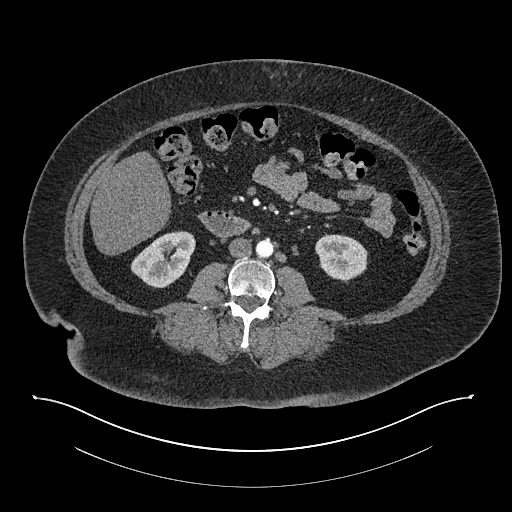
Arterial-phase contrast-enhanced abdominal CT, axial slice 382 of 673 (counted from the lowest slice); tube voltage 140 kVp, convolution kernel I30f; slices 1.00 mm thick, 0.957 mm per pixel.
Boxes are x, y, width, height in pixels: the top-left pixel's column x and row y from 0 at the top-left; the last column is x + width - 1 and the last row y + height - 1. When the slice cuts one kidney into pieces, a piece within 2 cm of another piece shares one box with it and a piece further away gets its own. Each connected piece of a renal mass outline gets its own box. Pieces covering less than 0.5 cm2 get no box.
Two boxes on this slice (two kidney boxes), listed by box centre from the image's left to its right. (1) Right kidney, box x 130, y 231, width 66, height 58 (outlined area 2,510 px, about 23.0 cm2). (2) Left kidney at x 315, y 234, width 53, height 50 (outlined area 1,931 px, about 17.7 cm2). This slice carries no renal mass outline.